Arterial-phase contrast-enhanced abdominal CT, axial slice 68 of 85 (counted from the lowest slice); tube voltage 120 kVp, convolution kernel FC19; slices 5.00 mm thick, 1.041 mm per pixel.
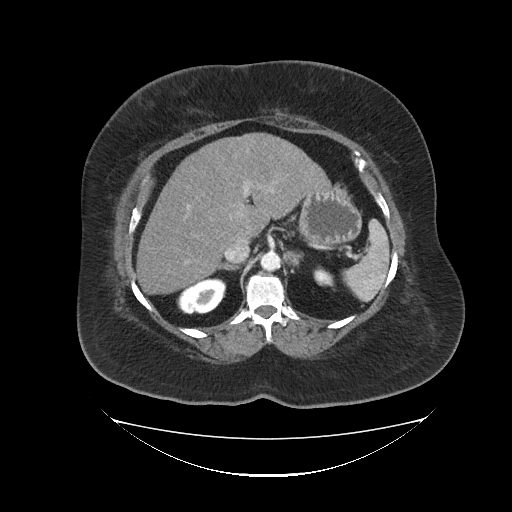
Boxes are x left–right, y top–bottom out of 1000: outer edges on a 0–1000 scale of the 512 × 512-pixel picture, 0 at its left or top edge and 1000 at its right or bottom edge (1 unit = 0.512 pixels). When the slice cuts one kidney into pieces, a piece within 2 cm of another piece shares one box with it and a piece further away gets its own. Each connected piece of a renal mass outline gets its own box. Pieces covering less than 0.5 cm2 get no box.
Two kidney boxes on this slice; by box centre, from the image's left to its right: (1) Box x 344–443, y 541–615 out of 1000: right kidney (outlined area 1,341 px, about 14.5 cm2). (2) Left kidney at x 611–654, y 520–563 out of 1000 (outlined area 326 px, about 3.5 cm2). This slice carries no renal mass outline.